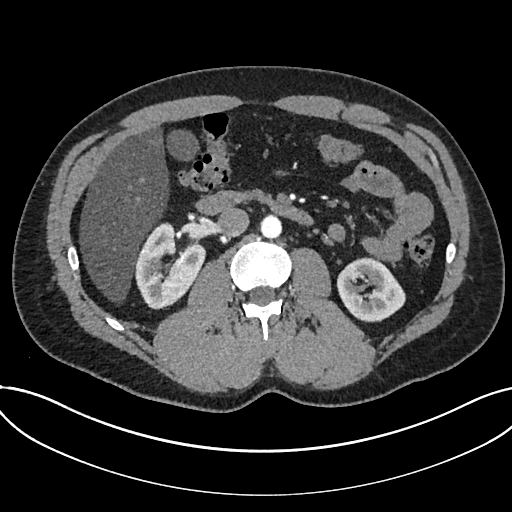
Arterial-phase contrast-enhanced abdominal CT, axial slice 404 of 735 (counted from the lowest slice); tube voltage 120 kVp, convolution kernel I30f; slices 1.00 mm thick, 0.789 mm per pixel.
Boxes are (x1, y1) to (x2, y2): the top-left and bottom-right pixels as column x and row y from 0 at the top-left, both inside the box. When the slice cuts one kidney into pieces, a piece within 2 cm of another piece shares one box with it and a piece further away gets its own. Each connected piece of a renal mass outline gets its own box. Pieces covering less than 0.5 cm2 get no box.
Boxed on this slice (two kidney boxes), listed by box centre from the image's left to its right: (1) Kidney from (134, 222) to (205, 309) (outlined area 4,182 px, about 26.0 cm2). (2) Kidney, box (336, 257) to (405, 322) (outlined area 3,243 px, about 20.2 cm2). No renal mass outline on this slice.